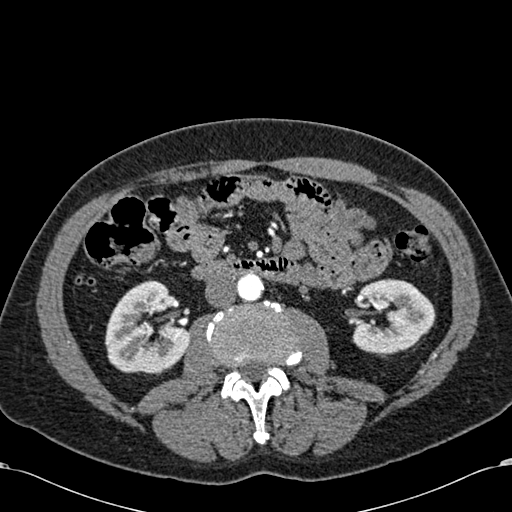
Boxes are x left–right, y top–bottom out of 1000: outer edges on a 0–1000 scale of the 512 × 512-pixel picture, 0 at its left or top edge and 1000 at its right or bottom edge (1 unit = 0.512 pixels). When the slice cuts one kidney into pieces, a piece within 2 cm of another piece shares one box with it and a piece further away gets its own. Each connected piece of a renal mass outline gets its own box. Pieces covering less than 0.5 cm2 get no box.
Slice 304/581 of a contrast-enhanced abdominal CT in the arterial phase, counting up from the lowest; pixel size 0.713 mm, slice thickness 1.00 mm. Two boxes on this slice (two kidney boxes), listed by box centre from the image's left to its right. (1) Right kidney at x 205–371, y 547–730 out of 1000 (outlined area 5,813 px, about 29.5 cm2). (2) Left kidney, box x 688–852, y 543–693 out of 1000 (outlined area 4,723 px, about 24.0 cm2). This slice carries no renal mass outline.
Tube voltage 120 kVp; convolution kernel B30f.